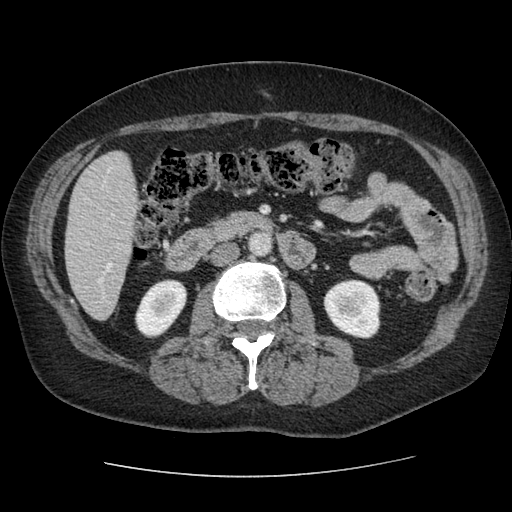
Arterial-phase contrast-enhanced abdominal CT, axial slice 37 of 96 (counted from the lowest slice); tube voltage 120 kVp, convolution kernel STANDARD; slices 2.50 mm thick, 0.689 mm per pixel.
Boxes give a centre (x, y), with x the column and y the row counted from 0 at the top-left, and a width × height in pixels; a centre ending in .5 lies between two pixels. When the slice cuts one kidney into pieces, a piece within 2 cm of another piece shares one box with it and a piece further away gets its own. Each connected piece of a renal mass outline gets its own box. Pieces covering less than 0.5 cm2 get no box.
Two boxes on this slice (two kidney boxes), listed by box centre from the image's left to its right. (1) Box centre (160.5, 308.5), 54 × 60 pixels: right kidney (outlined area 2,193 px, about 10.4 cm2). (2) Box centre (351.5, 308.5), 58 × 60 pixels: left kidney (outlined area 2,704 px, about 12.9 cm2). No renal mass is outlined on this slice.